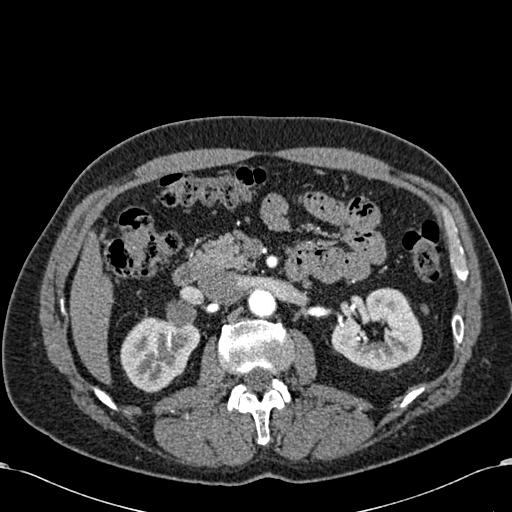
One axial slice (373 of 581, counting up from the lowest) of an arterial-phase abdominal CT acquired with 120 kVp, kernel B30f; each pixel is 0.713 mm and the slice is 1.00 mm thick.
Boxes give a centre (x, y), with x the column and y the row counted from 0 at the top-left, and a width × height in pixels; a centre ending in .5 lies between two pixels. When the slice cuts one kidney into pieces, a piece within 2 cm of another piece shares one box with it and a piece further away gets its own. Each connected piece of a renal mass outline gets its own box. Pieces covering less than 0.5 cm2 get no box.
Two boxes on this slice (two kidney boxes), listed by box centre from the image's left to its right. (1) Box centre (160, 354.5), 81 × 76 pixels: right kidney (outlined area 4,355 px, about 22.1 cm2). (2) Left kidney, box centre (376.5, 329), 92 × 85 pixels (outlined area 5,163 px, about 26.2 cm2). This slice carries no renal mass outline.